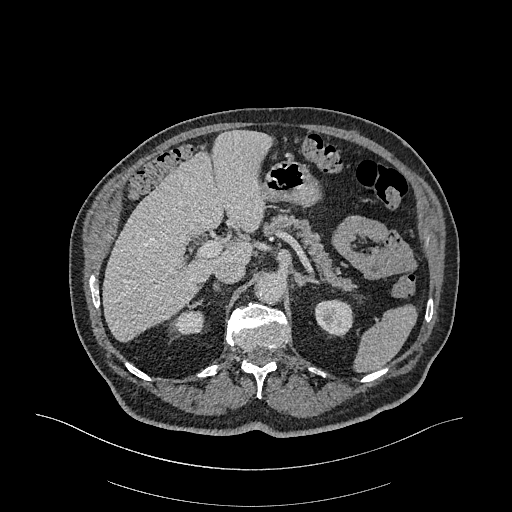
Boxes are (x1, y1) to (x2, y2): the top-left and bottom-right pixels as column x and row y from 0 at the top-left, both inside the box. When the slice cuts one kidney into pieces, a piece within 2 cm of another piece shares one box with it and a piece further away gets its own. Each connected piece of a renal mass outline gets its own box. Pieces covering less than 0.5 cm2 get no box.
This is axial slice 244 of 470 (slice 1 is the lowest) of an arterial-phase abdominal CT with contrast; each pixel is 0.938 mm and the slice is 1.00 mm thick. Two boxes on this slice (two kidney boxes), listed by box centre from the image's left to its right. (1) Right kidney from (175, 310) to (204, 334) (outlined area 597 px, about 5.2 cm2). (2) Box (314, 299) to (353, 335): left kidney (outlined area 1,164 px, about 10.2 cm2). This slice carries no renal mass outline.
Acquired at 120 kVp and reconstructed with the I26f kernel.